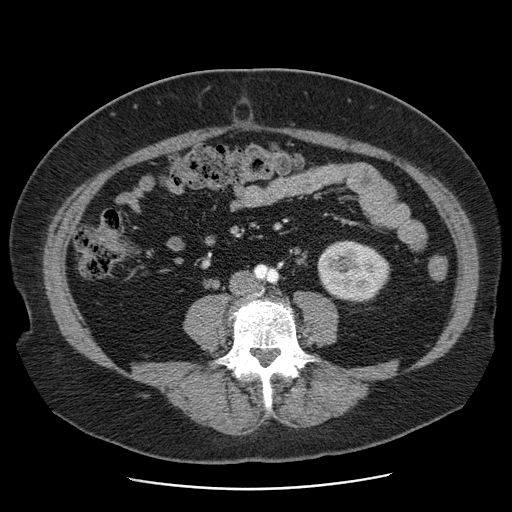
Abdominal CT with intravenous contrast, axial plane, 120 kVp, kernel STANDARD. Slice 17/103 from the bottom of the scan; thickness 2.50 mm; pixel size 0.736 mm.
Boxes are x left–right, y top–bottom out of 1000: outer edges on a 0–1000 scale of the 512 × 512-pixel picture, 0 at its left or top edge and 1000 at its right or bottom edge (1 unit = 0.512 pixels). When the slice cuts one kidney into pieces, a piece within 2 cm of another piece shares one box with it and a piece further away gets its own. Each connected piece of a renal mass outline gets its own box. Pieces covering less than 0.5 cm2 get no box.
Left kidney, box x 619–764, y 469–592 out of 1000 (outlined area 3,509 px, about 19.0 cm2). No renal mass outline on this slice.